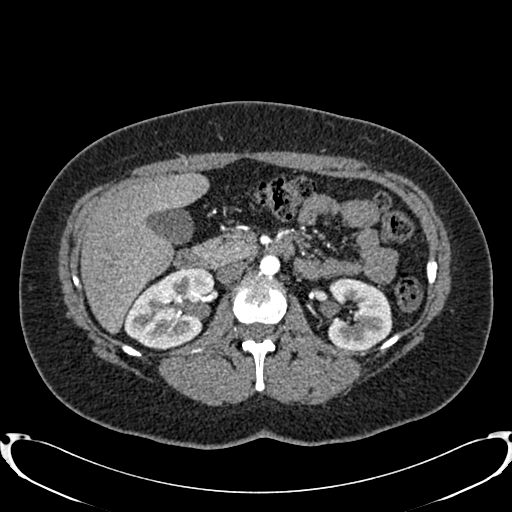
Arterial-phase contrast-enhanced abdominal CT, axial slice 477 of 719 (counted from the lowest slice); tube voltage 120 kVp, convolution kernel B20f; slices 1.00 mm thick, 0.766 mm per pixel.
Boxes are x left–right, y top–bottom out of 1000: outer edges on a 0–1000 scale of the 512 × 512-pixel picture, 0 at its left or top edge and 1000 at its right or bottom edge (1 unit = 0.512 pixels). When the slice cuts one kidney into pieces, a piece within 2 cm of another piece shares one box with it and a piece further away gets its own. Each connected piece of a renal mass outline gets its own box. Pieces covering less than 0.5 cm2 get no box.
Two kidney boxes on this slice; by box centre, from the image's left to its right: (1) Box x 240–420, y 523–684 out of 1000: right kidney (outlined area 5,282 px, about 31.0 cm2). (2) Left kidney, box x 639–768, y 541–688 out of 1000 (outlined area 3,707 px, about 21.7 cm2). This slice carries no renal mass outline.